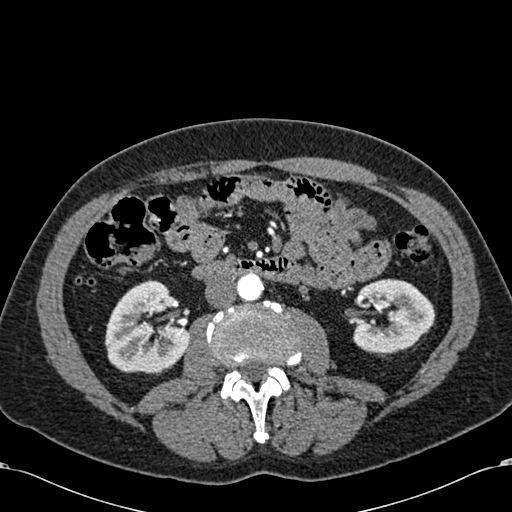
One axial slice (303 of 581, counting up from the lowest) of an arterial-phase abdominal CT acquired with 120 kVp, kernel B30f; each pixel is 0.713 mm and the slice is 1.00 mm thick.
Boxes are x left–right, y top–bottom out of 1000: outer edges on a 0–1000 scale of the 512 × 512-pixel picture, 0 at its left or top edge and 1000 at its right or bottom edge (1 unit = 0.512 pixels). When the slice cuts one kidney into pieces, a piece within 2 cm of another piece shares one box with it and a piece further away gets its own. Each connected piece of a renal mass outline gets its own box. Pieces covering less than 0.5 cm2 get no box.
Boxed on this slice (two kidney boxes), listed by box centre from the image's left to its right: (1) Box x 203–371, y 547–730 out of 1000: right kidney (outlined area 5,906 px, about 30.0 cm2). (2) Left kidney at x 689–852, y 543–693 out of 1000 (outlined area 4,702 px, about 23.9 cm2). No renal mass outline on this slice.